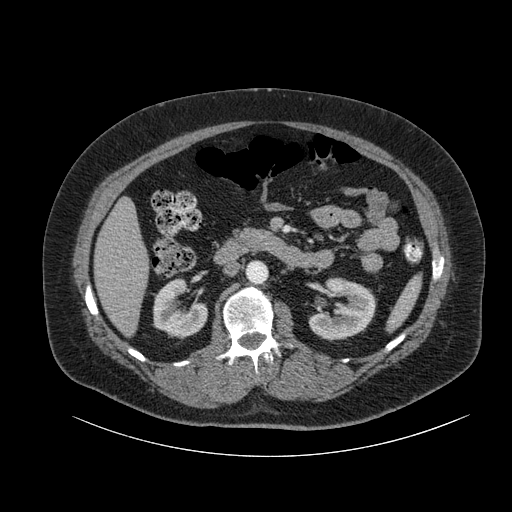
Contrast-enhanced abdominal CT, axial slice 47 of 105 (counted from the lowest slice); tube voltage 120 kVp, convolution kernel B; slices 3.00 mm thick, 0.977 mm per pixel.
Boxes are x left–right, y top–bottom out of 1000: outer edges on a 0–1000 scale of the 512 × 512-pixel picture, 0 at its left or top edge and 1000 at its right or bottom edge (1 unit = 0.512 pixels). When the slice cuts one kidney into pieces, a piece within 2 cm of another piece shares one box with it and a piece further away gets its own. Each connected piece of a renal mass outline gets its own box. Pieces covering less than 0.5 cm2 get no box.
Two boxes on this slice (two kidney boxes), listed by box centre from the image's left to its right. (1) Box x 297–406, y 543–664 out of 1000: right kidney (outlined area 2,309 px, about 22.0 cm2). (2) Box x 602–736, y 541–664 out of 1000: left kidney (outlined area 3,013 px, about 28.7 cm2). This slice carries no renal mass outline.